Axial slice 506 of 673 of a contrast-enhanced abdominal CT in the arterial phase (slice 1 is the lowest), 140 kVp, kernel I30f; 1.00 mm slice thickness and 0.957 mm pixels.
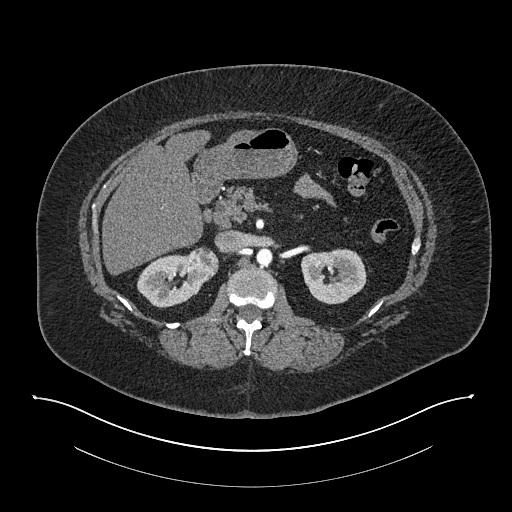
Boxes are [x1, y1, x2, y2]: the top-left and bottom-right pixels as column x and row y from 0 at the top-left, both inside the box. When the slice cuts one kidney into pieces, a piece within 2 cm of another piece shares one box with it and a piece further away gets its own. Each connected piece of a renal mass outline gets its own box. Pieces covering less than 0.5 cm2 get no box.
Two kidney boxes and one renal mass box on this slice; by box centre, from the image's left to its right: (1) Right kidney at [137, 254, 204, 308] (outlined area 2,375 px, about 21.8 cm2). (2) Right renal mass at [185, 247, 218, 281] (outlined area 903 px, about 8.3 cm2). (3) Box [301, 248, 366, 304]: left kidney (outlined area 2,848 px, about 26.1 cm2).